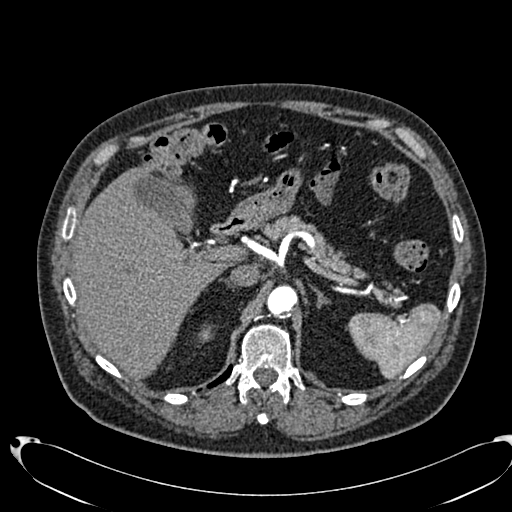
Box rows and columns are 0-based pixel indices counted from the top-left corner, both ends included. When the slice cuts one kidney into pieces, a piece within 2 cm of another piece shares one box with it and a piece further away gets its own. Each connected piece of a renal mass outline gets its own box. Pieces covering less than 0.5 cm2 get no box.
Arterial-phase contrast-enhanced abdominal CT, axial slice 500 of 553 (counted from the lowest slice); 1.00 mm thick, 0.773 mm per pixel. Box rows 324–343, columns 198–213: right kidney (outlined area 189 px, about 1.1 cm2). No renal mass outline on this slice.
Acquired at 120 kVp and reconstructed with the B20f kernel.